Abdominal CT with intravenous contrast, arterial phase, axial plane, 140 kVp, kernel I30f. Slice 371/673 from the bottom of the scan; thickness 1.00 mm; pixel size 0.957 mm.
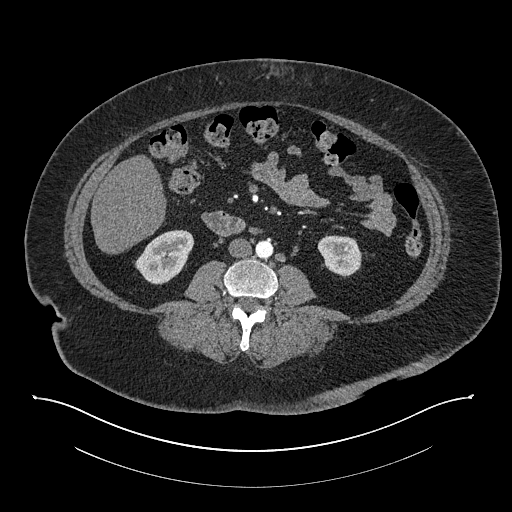
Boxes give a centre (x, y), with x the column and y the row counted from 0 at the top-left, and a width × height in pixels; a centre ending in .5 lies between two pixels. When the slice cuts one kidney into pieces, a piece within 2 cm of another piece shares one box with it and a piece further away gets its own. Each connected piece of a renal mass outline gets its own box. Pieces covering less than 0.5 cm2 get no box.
Boxed on this slice (two kidney boxes), listed by box centre from the image's left to its right: (1) Right kidney, box centre (164, 257), 61 × 55 pixels (outlined area 2,200 px, about 20.1 cm2). (2) Left kidney in a box with centre (339, 256), 45 × 43 pixels (outlined area 1,430 px, about 13.1 cm2). No renal mass is outlined on this slice.